Axial slice 197 of 1059 of a contrast-enhanced abdominal CT in the arterial phase (slice 1 is the lowest), 100 kVp, kernel I30f; 1.00 mm slice thickness and 0.811 mm pixels.
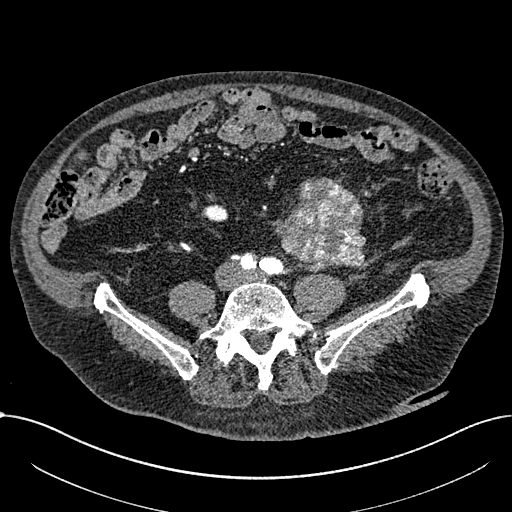
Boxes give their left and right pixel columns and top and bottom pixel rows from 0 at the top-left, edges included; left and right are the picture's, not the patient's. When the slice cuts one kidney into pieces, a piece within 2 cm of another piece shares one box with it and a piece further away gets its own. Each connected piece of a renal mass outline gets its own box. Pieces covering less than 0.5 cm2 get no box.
Two boxes on this slice (one kidney box and one renal mass box), listed by box centre from the image's left to its right. (1) Right part of the midline-crossing kidney, the box with left 202, top 204, right 228, bottom 221 (outlined area 365 px, about 2.4 cm2). (2) Renal mass in the box with left 273, top 177, right 365, bottom 267 (outlined area 6,075 px, about 39.9 cm2); it sits over 1 cm from every kidney outline on this slice, but the same outlined renal mass comes within 1 cm of the kidney on another slice.